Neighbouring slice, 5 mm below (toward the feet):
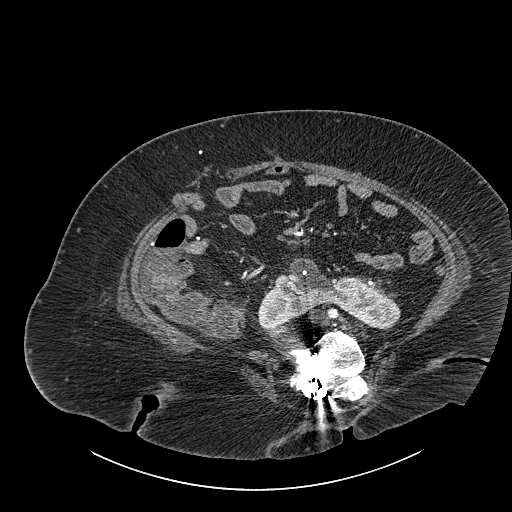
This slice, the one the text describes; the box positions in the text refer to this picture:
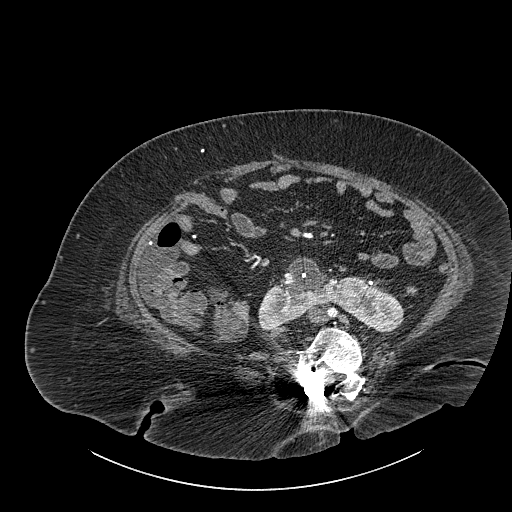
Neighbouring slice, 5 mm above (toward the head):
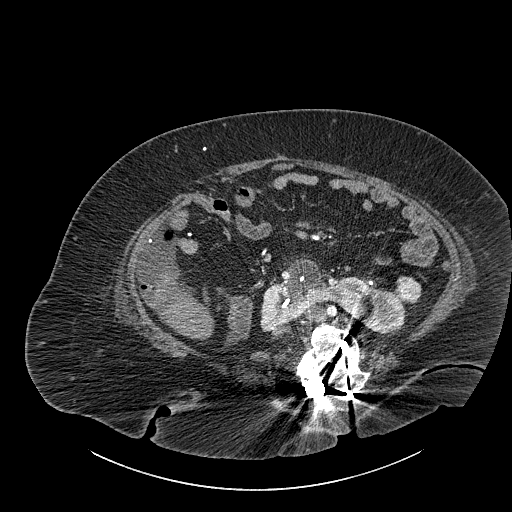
One axial slice (470 of 834, counting up from the lowest) of a contrast-enhanced abdominal CT acquired with 140 kVp, kernel I30f; each pixel is 0.977 mm and the slice is 1.00 mm thick.
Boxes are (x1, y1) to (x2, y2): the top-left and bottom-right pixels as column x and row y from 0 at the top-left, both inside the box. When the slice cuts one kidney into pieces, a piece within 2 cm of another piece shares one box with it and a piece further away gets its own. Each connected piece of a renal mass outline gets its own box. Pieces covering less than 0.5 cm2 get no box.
Two boxes on this slice (one kidney box and one renal mass box), listed by box centre from the image's left to its right. (1) Box (257, 256) to (405, 332): kidney crossing the body midline (outlined area 5,832 px, about 55.6 cm2). (2) Renal mass, box (403, 286) to (414, 296) (outlined area 89 px, about 0.8 cm2). This slice is near the end of a renal mass toward the feet, so the slices 5 mm below and 5 mm above it are shown as well; the boxes refer to this slice only.